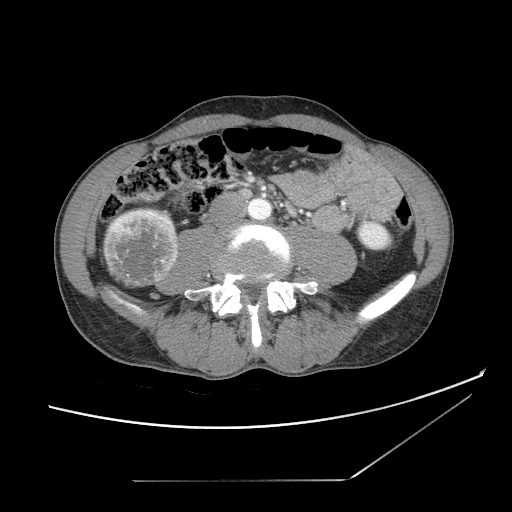
Contrast-enhanced abdominal CT, axial slice 36 of 121 (counted from the lowest slice); tube voltage 120 kVp, convolution kernel STANDARD; slices 2.50 mm thick, 0.742 mm per pixel.
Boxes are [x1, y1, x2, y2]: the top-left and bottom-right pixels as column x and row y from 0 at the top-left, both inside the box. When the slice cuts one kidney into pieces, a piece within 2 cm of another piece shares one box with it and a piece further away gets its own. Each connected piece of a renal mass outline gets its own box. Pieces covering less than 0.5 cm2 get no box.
Two boxes on this slice (one kidney box and one renal mass box), listed by box centre from the image's left to its right. (1) Right renal mass, box [100, 205, 178, 285] (outlined area 5,037 px, about 27.7 cm2); it sits over 1 cm from every kidney outline on this slice, but the same outlined renal mass comes within 1 cm of the kidney on another slice. (2) Left kidney at [354, 219, 395, 251] (outlined area 966 px, about 5.3 cm2).